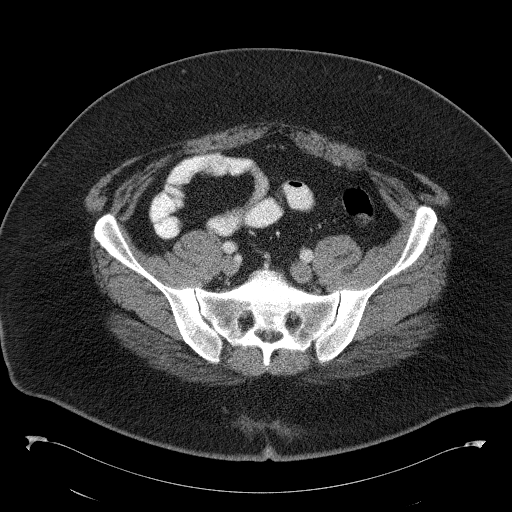
Slice 41/146 of a contrast-enhanced abdominal CT, counting up from the lowest; pixel size 0.840 mm, slice thickness 5.00 mm. No kidney and no renal mass is outlined on this slice; the outlines in this scan cover only the kidneys and the renal masses, so nothing is said about any other organ.
Acquired at 120 kVp and reconstructed with the B41f kernel.